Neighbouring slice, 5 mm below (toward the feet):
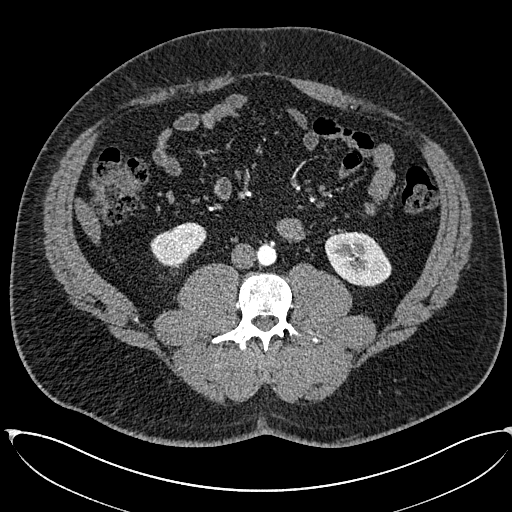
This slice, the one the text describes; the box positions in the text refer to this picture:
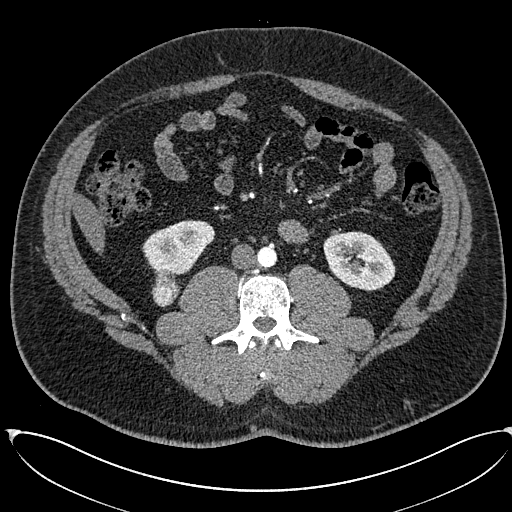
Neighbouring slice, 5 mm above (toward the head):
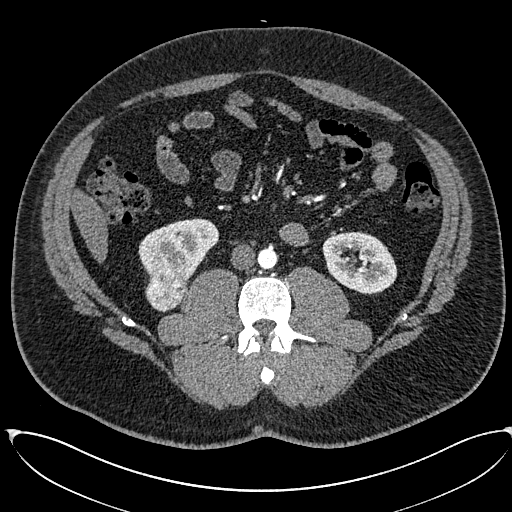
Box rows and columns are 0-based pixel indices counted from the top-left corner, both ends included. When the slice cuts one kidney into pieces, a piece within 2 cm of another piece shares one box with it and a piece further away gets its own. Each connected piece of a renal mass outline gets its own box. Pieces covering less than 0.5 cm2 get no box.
Arterial-phase contrast-enhanced abdominal CT, axial slice 266 of 673 (counted from the lowest slice); 1.00 mm thick, 0.855 mm per pixel. Boxed on this slice (two kidney boxes and two renal mass boxes), listed by box centre from the image's left to its right: (1) Right renal mass, box rows 278–307, columns 151–179 (outlined area 629 px, about 4.6 cm2). (2) Box rows 270–277, columns 156–175: right renal mass (outlined area 108 px, about 0.8 cm2). (3) Right kidney at rows 219–274, columns 142–215 (outlined area 2,787 px, about 20.4 cm2). (4) Left kidney, box rows 231–290, columns 323–395 (outlined area 3,193 px, about 23.4 cm2). This slice is near the end of the right renal mass toward the feet, so the slices 5 mm below and 5 mm above it are shown as well; the boxes refer to this slice only.
Scan settings: 120 kVp, I30f reconstruction kernel.